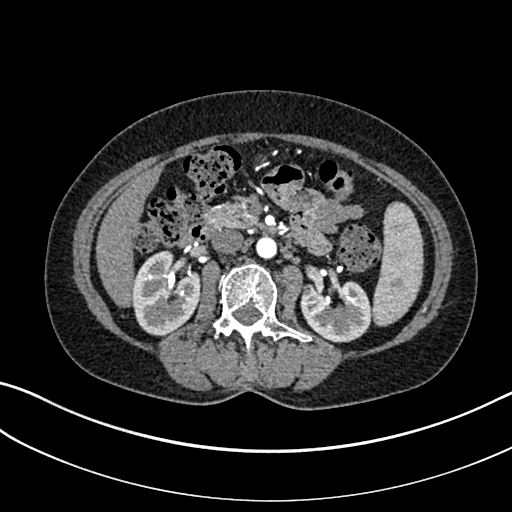
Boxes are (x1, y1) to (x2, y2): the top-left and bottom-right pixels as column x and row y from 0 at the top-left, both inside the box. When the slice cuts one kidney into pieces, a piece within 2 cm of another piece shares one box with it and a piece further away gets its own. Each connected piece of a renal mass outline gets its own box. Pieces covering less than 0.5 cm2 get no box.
This is axial slice 160 of 325 (slice 1 is the lowest) of an arterial-phase abdominal CT with contrast; each pixel is 0.703 mm and the slice is 1.00 mm thick. Two kidney boxes on this slice; by box centre, from the image's left to its right: (1) Right kidney from (131, 250) to (201, 336) (outlined area 4,435 px, about 21.9 cm2). (2) Box (300, 281) to (371, 342): left kidney (outlined area 3,440 px, about 17.0 cm2). This slice carries no renal mass outline.
Scan settings: 100 kVp, I30f reconstruction kernel.